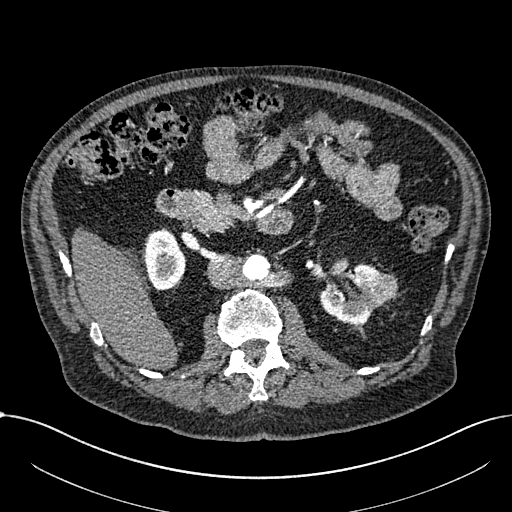
Axial slice 407 of 1059 of a contrast-enhanced abdominal CT in the arterial phase (slice 1 is the lowest), 100 kVp, kernel I30f; 1.00 mm slice thickness and 0.811 mm pixels.
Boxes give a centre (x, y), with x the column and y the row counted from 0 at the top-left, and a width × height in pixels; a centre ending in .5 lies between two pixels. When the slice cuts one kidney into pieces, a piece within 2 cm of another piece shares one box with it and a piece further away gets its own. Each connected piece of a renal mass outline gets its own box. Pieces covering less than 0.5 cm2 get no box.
Boxed on this slice (two kidney boxes and one renal mass box), listed by box centre from the image's left to its right: (1) Right part of the midline-crossing kidney in a box with centre (165.5, 259), 42 × 63 pixels (outlined area 1,963 px, about 12.9 cm2). (2) Left part of the midline-crossing kidney, box centre (350.5, 294.5), 64 × 64 pixels (outlined area 2,411 px, about 15.8 cm2). (3) Renal mass, box centre (383, 289), 29 × 33 pixels (outlined area 682 px, about 4.5 cm2).